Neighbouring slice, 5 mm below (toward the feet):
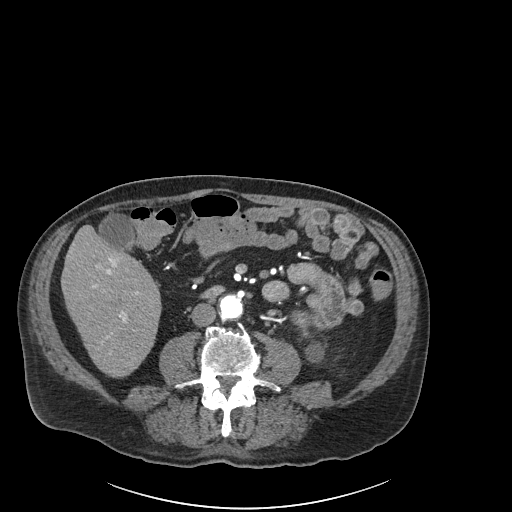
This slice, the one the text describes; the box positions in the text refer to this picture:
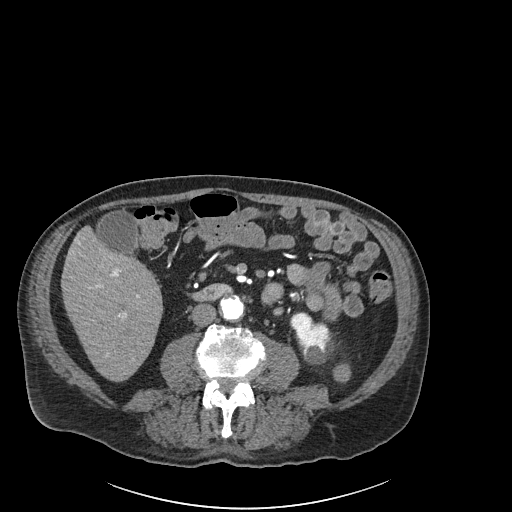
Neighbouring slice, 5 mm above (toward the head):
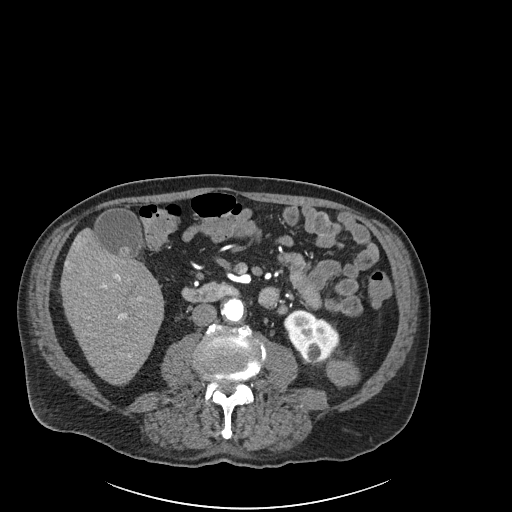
One axial slice (67 of 261, counting up from the lowest) of an arterial-phase abdominal CT acquired with 120 kVp, kernel I30f; each pixel is 0.939 mm and the slice is 2.00 mm thick.
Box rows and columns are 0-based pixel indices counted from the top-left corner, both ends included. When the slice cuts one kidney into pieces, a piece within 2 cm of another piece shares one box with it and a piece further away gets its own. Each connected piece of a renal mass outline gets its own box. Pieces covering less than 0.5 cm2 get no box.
One kidney box and one renal mass box on this slice; by box centre, from the image's left to its right: (1) Left kidney, box rows 312–364, columns 290–332 (outlined area 1,434 px, about 12.7 cm2). (2) Left renal mass, box rows 364–383, columns 332–351 (outlined area 302 px, about 2.7 cm2); here it is more than 1 cm from any kidney outline, though on another slice the same outlined renal mass lies within 1 cm of the kidney. This slice is near the end of the left renal mass toward the feet, so the slices 5 mm below and 5 mm above it are shown as well; the boxes refer to this slice only.